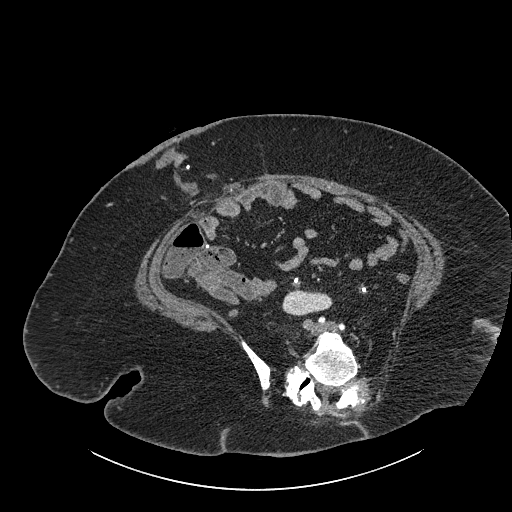
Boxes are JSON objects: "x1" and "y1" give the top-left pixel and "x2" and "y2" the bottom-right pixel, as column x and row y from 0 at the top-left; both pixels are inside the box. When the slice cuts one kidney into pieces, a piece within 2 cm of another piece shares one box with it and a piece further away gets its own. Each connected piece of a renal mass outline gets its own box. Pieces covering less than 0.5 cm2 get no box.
Slice 390/834 of a contrast-enhanced abdominal CT, counting up from the lowest; pixel size 0.977 mm, slice thickness 1.00 mm. Right part of the midline-crossing kidney, box {"x1": 282, "y1": 289, "x2": 332, "y2": 316} (outlined area 1,048 px, about 10.0 cm2). No renal mass outline on this slice.
Tube voltage 140 kVp; convolution kernel I30f.